Arterial-phase contrast-enhanced abdominal CT, axial slice 192 of 349 (counted from the lowest slice); tube voltage 120 kVp, convolution kernel STANDARD; slices 1.25 mm thick, 0.742 mm per pixel.
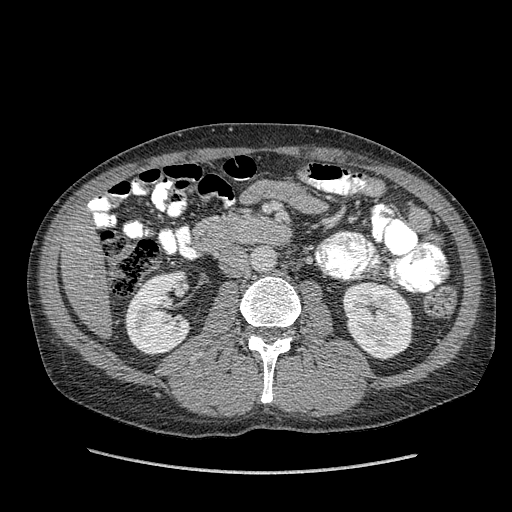
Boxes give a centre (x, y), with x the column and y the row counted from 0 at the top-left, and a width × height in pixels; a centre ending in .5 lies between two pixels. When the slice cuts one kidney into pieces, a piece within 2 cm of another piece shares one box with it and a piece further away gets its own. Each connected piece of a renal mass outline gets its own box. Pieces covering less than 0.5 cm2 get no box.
Boxed on this slice (two kidney boxes), listed by box centre from the image's left to its right: (1) Box centre (157.5, 313), 68 × 85 pixels: right kidney (outlined area 4,242 px, about 23.4 cm2). (2) Box centre (377.5, 320.5), 72 × 80 pixels: left kidney (outlined area 4,388 px, about 24.2 cm2). No renal mass outline on this slice.